Axial slice 35 of 94 of a contrast-enhanced abdominal CT in the arterial phase (slice 1 is the lowest), 100 kVp, kernel I41f; 5.00 mm slice thickness and 0.551 mm pixels.
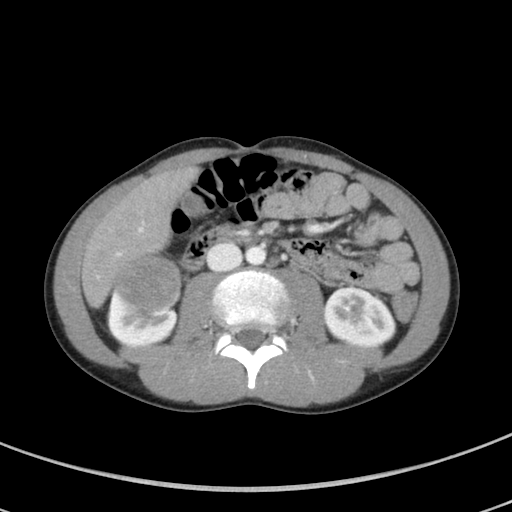
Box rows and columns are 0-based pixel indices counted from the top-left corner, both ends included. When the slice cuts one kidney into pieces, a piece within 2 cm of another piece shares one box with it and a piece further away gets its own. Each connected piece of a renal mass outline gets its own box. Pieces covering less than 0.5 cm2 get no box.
Three boxes on this slice (two kidney boxes and one renal mass box), listed by box centre from the image's left to its right. (1) Right kidney, box rows 287–344, columns 106–180 (outlined area 2,548 px, about 7.7 cm2). (2) Box rows 253–311, columns 113–183: right renal mass (outlined area 3,165 px, about 9.6 cm2). (3) Left kidney at rows 287–346, columns 324–395 (outlined area 3,354 px, about 10.2 cm2).